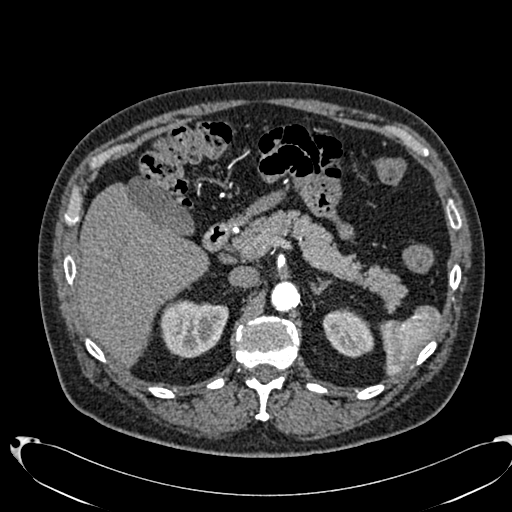
One axial slice (477 of 553, counting up from the lowest) of an arterial-phase abdominal CT acquired with 120 kVp, kernel B20f; each pixel is 0.773 mm and the slice is 1.00 mm thick.
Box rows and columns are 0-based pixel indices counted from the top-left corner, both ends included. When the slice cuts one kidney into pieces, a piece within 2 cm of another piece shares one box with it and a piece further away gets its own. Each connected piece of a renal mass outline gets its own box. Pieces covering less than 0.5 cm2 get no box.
Two boxes on this slice (two kidney boxes), listed by box centre from the image's left to its right. (1) Box rows 299–358, columns 160–228: right kidney (outlined area 3,117 px, about 18.6 cm2). (2) Left kidney, box rows 308–357, columns 322–374 (outlined area 1,858 px, about 11.1 cm2). No renal mass is outlined on this slice.